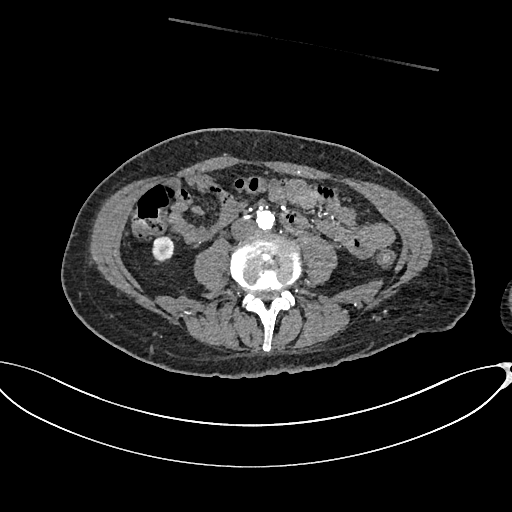
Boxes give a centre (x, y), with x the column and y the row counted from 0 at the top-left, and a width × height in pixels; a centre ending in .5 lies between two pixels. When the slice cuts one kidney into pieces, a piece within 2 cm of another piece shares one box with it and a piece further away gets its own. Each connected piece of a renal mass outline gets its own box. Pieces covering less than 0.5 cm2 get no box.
Slice 273/665 of a contrast-enhanced abdominal CT in the arterial phase, counting up from the lowest; pixel size 0.828 mm, slice thickness 1.00 mm. Box centre (162.5, 248), 22 × 27 pixels: right kidney (outlined area 463 px, about 3.2 cm2). No renal mass is outlined on this slice.
Acquired at 100 kVp and reconstructed with the I26f kernel.